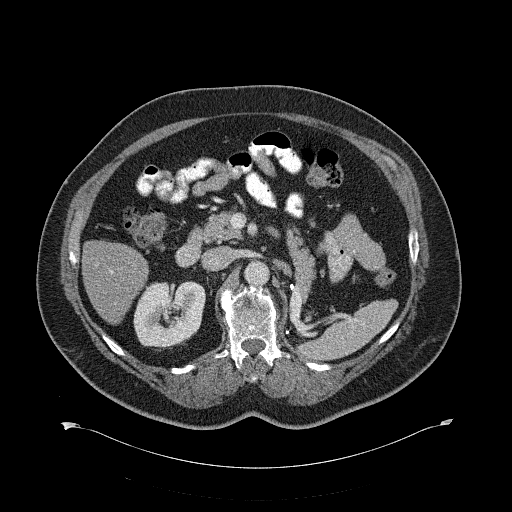
Abdominal CT with intravenous contrast, axial plane, 120 kVp, kernel B31f. Slice 393/734 from the bottom of the scan; thickness 2.00 mm; pixel size 0.971 mm.
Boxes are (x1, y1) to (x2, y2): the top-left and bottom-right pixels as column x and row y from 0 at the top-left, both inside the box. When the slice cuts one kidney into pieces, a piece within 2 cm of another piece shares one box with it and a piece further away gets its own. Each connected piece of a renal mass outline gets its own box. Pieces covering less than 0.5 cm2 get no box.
Right kidney, box (133, 280) to (204, 351) (outlined area 3,993 px, about 37.6 cm2). No renal mass is outlined on this slice.